Arterial-phase contrast-enhanced abdominal CT, axial slice 245 of 673 (counted from the lowest slice); tube voltage 120 kVp, convolution kernel I30f; slices 1.00 mm thick, 0.855 mm per pixel.
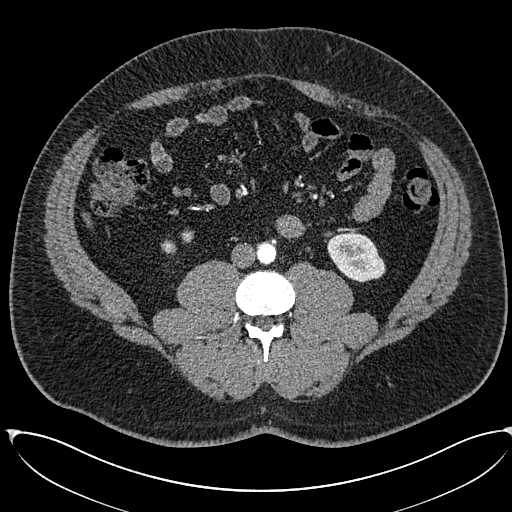
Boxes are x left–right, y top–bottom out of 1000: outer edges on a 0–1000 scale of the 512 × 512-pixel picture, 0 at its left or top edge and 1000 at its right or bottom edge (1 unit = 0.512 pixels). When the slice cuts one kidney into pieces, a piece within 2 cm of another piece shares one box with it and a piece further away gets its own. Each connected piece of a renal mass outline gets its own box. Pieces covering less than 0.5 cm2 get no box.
Boxed on this slice (two kidney boxes), listed by box centre from the image's left to its right: (1) Right kidney, box x 314–379, y 447–498 out of 1000 (outlined area 323 px, about 2.4 cm2). (2) Box x 639–754, y 453–553 out of 1000: left kidney (outlined area 2,147 px, about 15.7 cm2). This slice carries no renal mass outline.